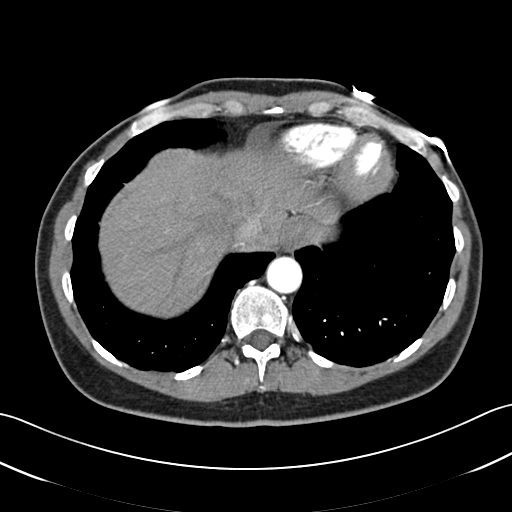
This is axial slice 52 of 52 (slice 1 is the lowest) of an arterial-phase abdominal CT with contrast; each pixel is 0.678 mm and the slice is 3.00 mm thick. Neither a kidney nor a renal mass is outlined here. Only kidneys and renal masses are outlined anywhere in this scan; other structures are never outlined.
Tube voltage 120 kVp; convolution kernel B30f.